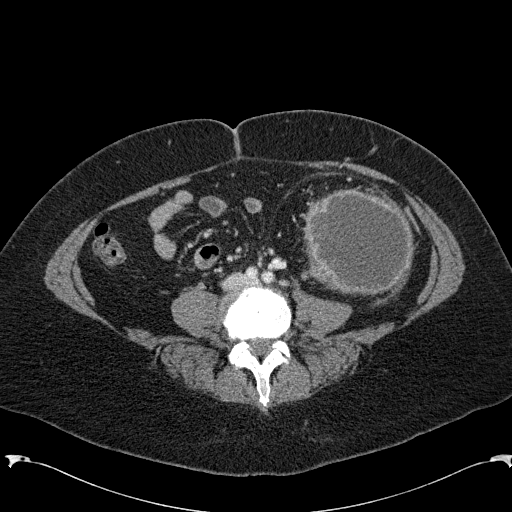
Arterial-phase contrast-enhanced abdominal CT, axial slice 37 of 285 (counted from the lowest slice); tube voltage 120 kVp, convolution kernel B31f; slices 2.00 mm thick, 0.762 mm per pixel.
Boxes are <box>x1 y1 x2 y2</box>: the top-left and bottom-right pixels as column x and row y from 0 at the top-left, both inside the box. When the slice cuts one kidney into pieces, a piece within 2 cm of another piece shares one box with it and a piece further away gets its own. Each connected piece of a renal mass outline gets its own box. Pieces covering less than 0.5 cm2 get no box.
Left renal mass at <box>303 188 415 295</box> (outlined area 9,666 px, about 56.1 cm2); this slice has no kidney outline, though on another slice the same outlined renal mass lies within 1 cm of the kidney.